Abdominal CT with intravenous contrast, arterial phase, axial plane, 100 kVp, kernel I40f. Slice 160/316 from the bottom of the scan; thickness 2.00 mm; pixel size 0.840 mm.
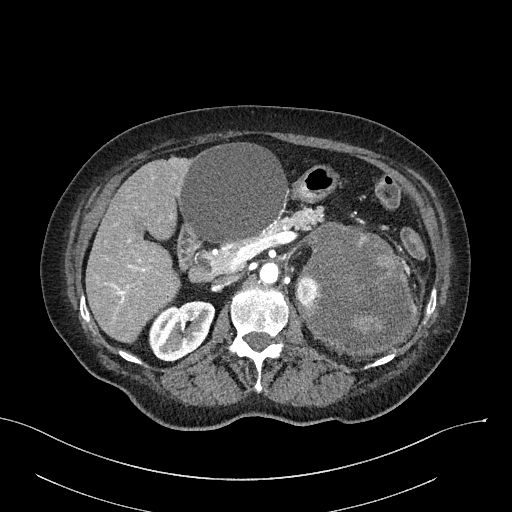
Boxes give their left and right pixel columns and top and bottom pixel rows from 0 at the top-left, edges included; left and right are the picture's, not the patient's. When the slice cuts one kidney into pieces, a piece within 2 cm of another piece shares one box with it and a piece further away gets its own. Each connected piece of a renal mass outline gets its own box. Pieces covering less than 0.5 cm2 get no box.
Boxed on this slice (two kidney boxes and one renal mass box), listed by box centre from the image's left to its right: (1) Right kidney in the box with left 148, top 300, right 214, bottom 361 (outlined area 2,908 px, about 20.5 cm2). (2) Left kidney, the box with left 295, top 276, right 316, bottom 311 (outlined area 555 px, about 3.9 cm2). (3) Box with left 300, top 222, right 417, bottom 356: left renal mass (outlined area 11,685 px, about 82.4 cm2).